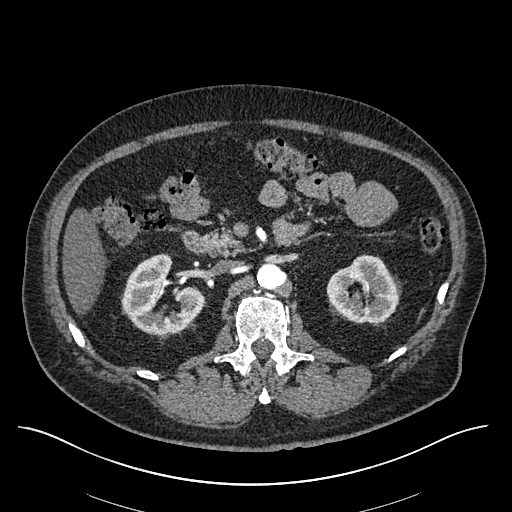
Arterial-phase contrast-enhanced abdominal CT, axial slice 354 of 670 (counted from the lowest slice); tube voltage 120 kVp, convolution kernel I30f; slices 1.00 mm thick, 0.861 mm per pixel.
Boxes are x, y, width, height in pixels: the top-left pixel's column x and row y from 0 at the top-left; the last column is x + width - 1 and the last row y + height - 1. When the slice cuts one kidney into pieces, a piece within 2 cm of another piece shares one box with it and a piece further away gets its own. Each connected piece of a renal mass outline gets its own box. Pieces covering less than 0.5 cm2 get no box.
Boxed on this slice (two kidney boxes), listed by box centre from the image's left to its right: (1) Right kidney, box x 121, y 253, width 84, height 83 (outlined area 4,415 px, about 32.8 cm2). (2) Box x 326, y 254, width 75, height 70: left kidney (outlined area 3,705 px, about 27.5 cm2). This slice carries no renal mass outline.